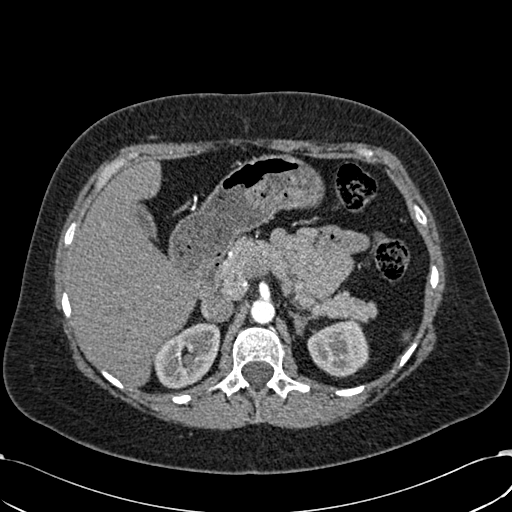
Axial slice 427 of 532 of a contrast-enhanced abdominal CT in the arterial phase (slice 1 is the lowest), 120 kVp, kernel B30f; 1.00 mm slice thickness and 0.713 mm pixels.
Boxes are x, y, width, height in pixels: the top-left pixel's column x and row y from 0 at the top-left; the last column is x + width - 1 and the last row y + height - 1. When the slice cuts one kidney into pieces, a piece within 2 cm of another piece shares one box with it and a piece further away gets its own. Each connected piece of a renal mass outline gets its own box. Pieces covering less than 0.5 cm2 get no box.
Two kidney boxes on this slice; by box centre, from the image's left to its right: (1) Box x 153, y 322, width 68, height 68: right kidney (outlined area 3,202 px, about 16.3 cm2). (2) Left kidney, box x 307, y 320, width 63, height 58 (outlined area 2,675 px, about 13.6 cm2). No renal mass is outlined on this slice.